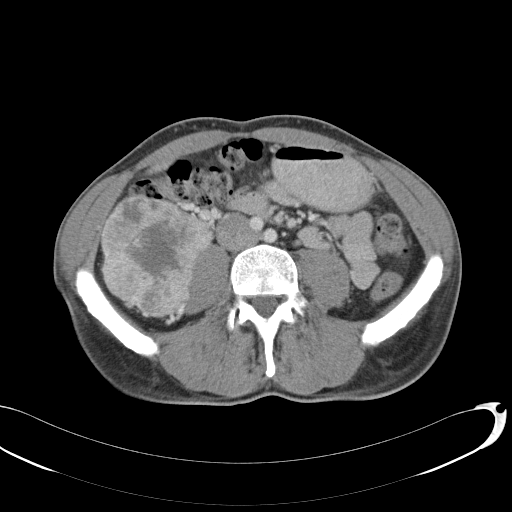
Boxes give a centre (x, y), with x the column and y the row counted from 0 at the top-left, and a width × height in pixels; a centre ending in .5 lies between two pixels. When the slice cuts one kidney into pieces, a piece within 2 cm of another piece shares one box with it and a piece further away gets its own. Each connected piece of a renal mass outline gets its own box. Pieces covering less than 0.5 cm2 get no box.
This is axial slice 52 of 146 (slice 1 is the lowest) of an abdominal CT with contrast; each pixel is 0.742 mm and the slice is 5.00 mm thick. Box centre (157, 257), 115 × 125 pixels: right renal mass (outlined area 10,195 px, about 56.2 cm2); this slice has no kidney outline, though on another slice the same outlined renal mass lies within 1 cm of the kidney.
Tube voltage 120 kVp; convolution kernel B31f.